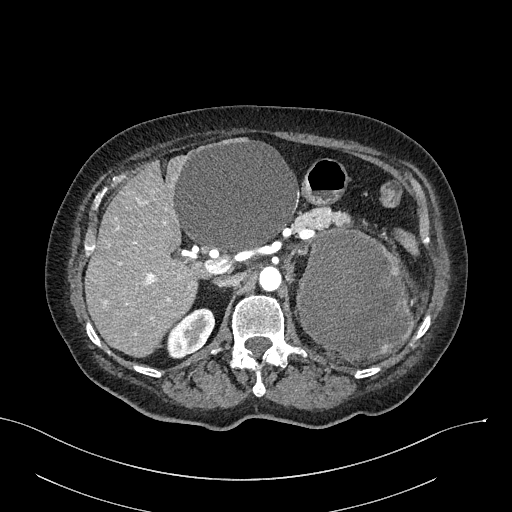
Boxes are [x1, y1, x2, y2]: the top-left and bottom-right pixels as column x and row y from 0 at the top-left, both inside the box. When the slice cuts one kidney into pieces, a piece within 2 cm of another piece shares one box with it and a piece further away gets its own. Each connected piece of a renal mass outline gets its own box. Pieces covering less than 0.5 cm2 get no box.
Slice 174/316 of a contrast-enhanced abdominal CT in the arterial phase, counting up from the lowest; pixel size 0.840 mm, slice thickness 2.00 mm. One kidney box and one renal mass box on this slice; by box centre, from the image's left to its right: (1) Right kidney, box [166, 308, 215, 358] (outlined area 1,686 px, about 11.9 cm2). (2) Left renal mass at [295, 227, 412, 358] (outlined area 11,774 px, about 83.0 cm2); it sits over 1 cm from every kidney outline on this slice, but the same outlined renal mass comes within 1 cm of the kidney on another slice.
Tube voltage 100 kVp; convolution kernel I40f.